Axial slice 36 of 97 of a contrast-enhanced abdominal CT in the arterial phase (slice 1 is the lowest), 100 kVp, kernel I40f; 3.00 mm slice thickness and 0.797 mm pixels.
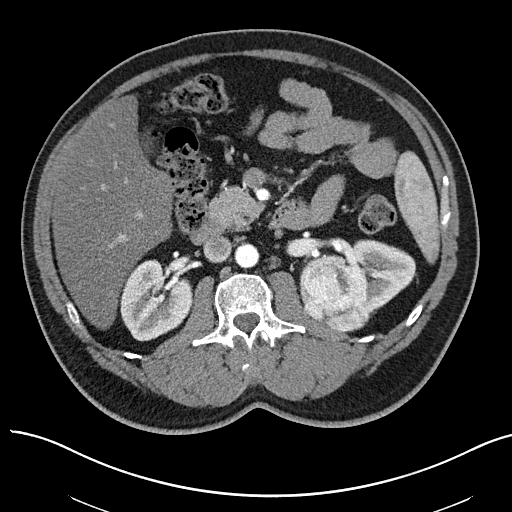
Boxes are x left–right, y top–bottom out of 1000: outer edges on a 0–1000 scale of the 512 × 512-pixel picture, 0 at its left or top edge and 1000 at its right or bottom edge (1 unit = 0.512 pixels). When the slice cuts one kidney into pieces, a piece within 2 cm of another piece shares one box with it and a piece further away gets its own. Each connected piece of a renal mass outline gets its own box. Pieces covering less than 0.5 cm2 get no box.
Boxed on this slice (two kidney boxes and one renal mass box), listed by box centre from the image's left to its right: (1) Right kidney, box x 234–379, y 506–668 out of 1000 (outlined area 4,434 px, about 28.2 cm2). (2) Left renal mass, box x 584–725, y 496–650 out of 1000 (outlined area 4,392 px, about 27.9 cm2). (3) Box x 648–813, y 467–615 out of 1000: left kidney (outlined area 3,110 px, about 19.7 cm2).